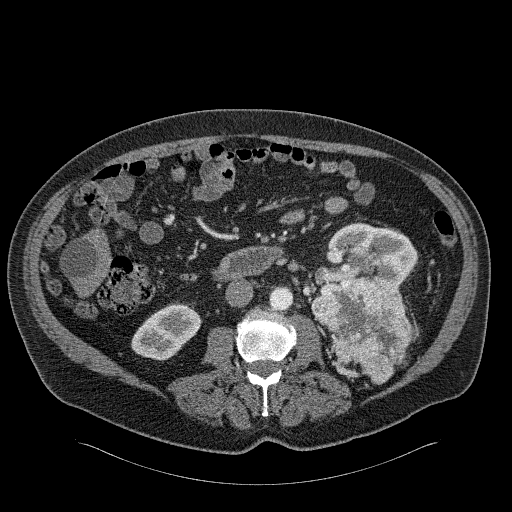
Abdominal CT with intravenous contrast, arterial phase, axial plane, 120 kVp, kernel B31f. Slice 101/326 from the bottom of the scan; thickness 2.00 mm; pixel size 0.963 mm.
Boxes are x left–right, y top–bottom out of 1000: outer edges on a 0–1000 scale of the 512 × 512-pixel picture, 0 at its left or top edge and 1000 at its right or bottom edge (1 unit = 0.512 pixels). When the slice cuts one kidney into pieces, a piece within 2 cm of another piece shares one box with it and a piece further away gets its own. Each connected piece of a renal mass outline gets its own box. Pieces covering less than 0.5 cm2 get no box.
Boxed on this slice (two kidney boxes and one renal mass box), listed by box centre from the image's left to its right: (1) Box x 256–395, y 588–705 out of 1000: right kidney (outlined area 2,722 px, about 25.2 cm2). (2) Left renal mass at x 607–811, y 539–752 out of 1000 (outlined area 7,383 px, about 68.5 cm2). (3) Left kidney, box x 605–816, y 434–594 out of 1000 (outlined area 4,609 px, about 42.7 cm2).